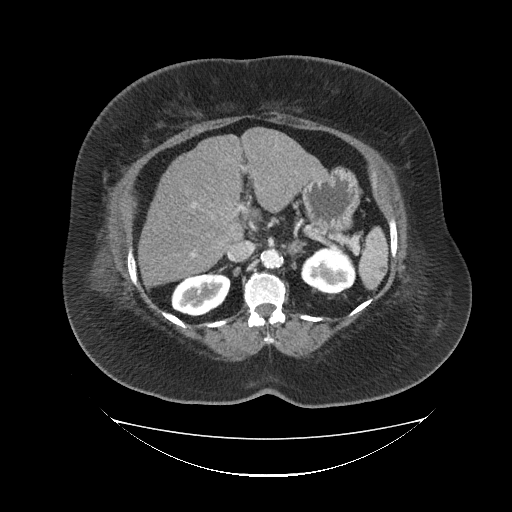
Arterial-phase contrast-enhanced abdominal CT, axial slice 65 of 85 (counted from the lowest slice); tube voltage 120 kVp, convolution kernel FC19; slices 5.00 mm thick, 1.041 mm per pixel.
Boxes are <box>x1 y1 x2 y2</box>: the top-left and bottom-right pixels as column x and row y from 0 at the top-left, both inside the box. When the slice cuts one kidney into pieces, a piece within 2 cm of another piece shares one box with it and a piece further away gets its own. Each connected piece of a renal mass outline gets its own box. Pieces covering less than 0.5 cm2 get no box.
Boxed on this slice (two kidney boxes), listed by box centre from the image's left to its right: (1) At <box>171 272 230 316</box>: right kidney (outlined area 1,996 px, about 21.6 cm2). (2) At <box>300 246 356 293</box>: left kidney (outlined area 2,003 px, about 21.7 cm2). This slice carries no renal mass outline.